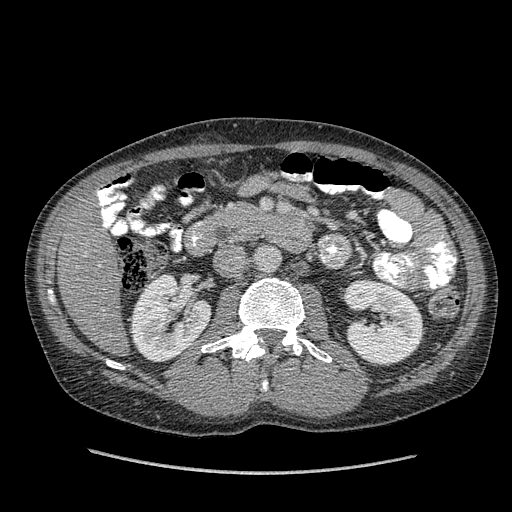
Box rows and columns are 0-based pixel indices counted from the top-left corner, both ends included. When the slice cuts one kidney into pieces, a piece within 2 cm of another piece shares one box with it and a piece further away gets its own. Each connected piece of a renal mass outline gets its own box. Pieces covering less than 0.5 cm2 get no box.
Slice 205/349 of a contrast-enhanced abdominal CT in the arterial phase, counting up from the lowest; pixel size 0.742 mm, slice thickness 1.25 mm. Two boxes on this slice (two kidney boxes), listed by box centre from the image's left to its right. (1) Right kidney at rows 273–362, columns 129–212 (outlined area 5,176 px, about 28.5 cm2). (2) Left kidney at rows 280–365, columns 342–425 (outlined area 5,283 px, about 29.1 cm2). This slice carries no renal mass outline.
Tube voltage 120 kVp; convolution kernel STANDARD.